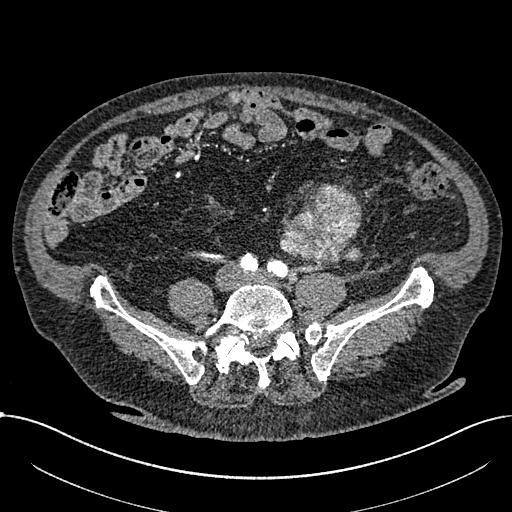
Abdominal CT with intravenous contrast, arterial phase, axial plane, 100 kVp, kernel I30f. Slice 186/1059 from the bottom of the scan; thickness 1.00 mm; pixel size 0.811 mm.
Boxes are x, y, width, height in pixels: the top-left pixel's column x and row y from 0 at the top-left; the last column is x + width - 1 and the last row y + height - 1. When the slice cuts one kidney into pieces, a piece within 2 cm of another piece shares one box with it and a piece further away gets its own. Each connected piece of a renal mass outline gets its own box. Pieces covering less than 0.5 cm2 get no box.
Renal mass, box x 279, y 184, width 83, height 81 (outlined area 4,695 px, about 30.8 cm2); no kidney is outlined on this slice, but the same outlined renal mass comes within 1 cm of the kidney on another slice.